Abdominal CT with intravenous contrast, arterial phase, axial plane, 100 kVp, kernel I30f. Slice 78/325 from the bottom of the scan; thickness 1.00 mm; pixel size 0.703 mm.
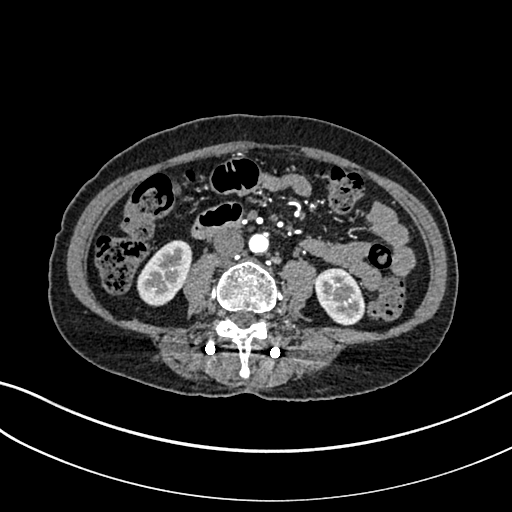
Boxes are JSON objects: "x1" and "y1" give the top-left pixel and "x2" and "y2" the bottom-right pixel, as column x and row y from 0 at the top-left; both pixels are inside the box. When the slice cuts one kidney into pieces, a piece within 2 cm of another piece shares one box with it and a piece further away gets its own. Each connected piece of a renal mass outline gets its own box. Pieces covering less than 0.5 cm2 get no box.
Boxed on this slice (two kidney boxes), listed by box centre from the image's left to its right: (1) Right kidney at {"x1": 136, "y1": 240, "x2": 192, "y2": 306} (outlined area 2,525 px, about 12.5 cm2). (2) Box {"x1": 314, "y1": 267, "x2": 365, "y2": 325}: left kidney (outlined area 2,203 px, about 10.9 cm2). No renal mass outline on this slice.